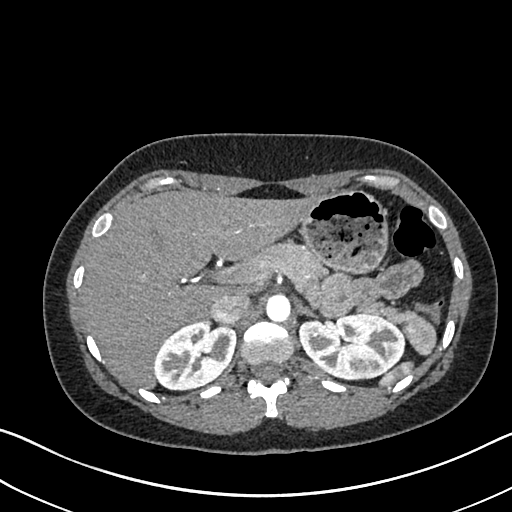
One axial slice (492 of 612, counting up from the lowest) of an arterial-phase abdominal CT acquired with 120 kVp, kernel I30f; each pixel is 0.703 mm and the slice is 1.00 mm thick.
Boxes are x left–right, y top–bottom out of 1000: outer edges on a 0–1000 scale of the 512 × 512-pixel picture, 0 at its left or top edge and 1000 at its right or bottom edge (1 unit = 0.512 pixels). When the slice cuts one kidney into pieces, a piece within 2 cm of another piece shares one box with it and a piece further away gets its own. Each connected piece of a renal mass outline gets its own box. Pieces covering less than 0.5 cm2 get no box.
Boxed on this slice (two kidney boxes), listed by box centre from the image's left to its right: (1) Right kidney at x 301–465, y 625–762 out of 1000 (outlined area 4,211 px, about 20.8 cm2). (2) Left kidney at x 584–793, y 611–744 out of 1000 (outlined area 5,589 px, about 27.6 cm2). No renal mass outline on this slice.